Abdominal CT with intravenous contrast, arterial phase, axial plane, 120 kVp, kernel I26f. Slice 655/987 from the bottom of the scan; thickness 1.00 mm; pixel size 0.977 mm.
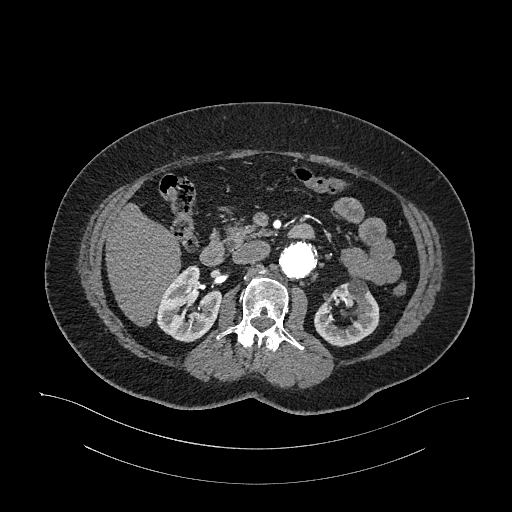
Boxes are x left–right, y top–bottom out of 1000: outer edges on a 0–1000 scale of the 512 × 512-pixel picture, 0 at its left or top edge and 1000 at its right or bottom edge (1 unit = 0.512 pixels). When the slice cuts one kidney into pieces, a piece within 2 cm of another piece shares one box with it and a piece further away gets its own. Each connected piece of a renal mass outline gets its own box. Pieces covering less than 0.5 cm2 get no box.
Two kidney boxes on this slice; by box centre, from the image's left to its right: (1) Right kidney at x 303–434, y 518–668 out of 1000 (outlined area 3,375 px, about 32.2 cm2). (2) Left kidney at x 613–742, y 545–678 out of 1000 (outlined area 2,913 px, about 27.8 cm2). This slice carries no renal mass outline.